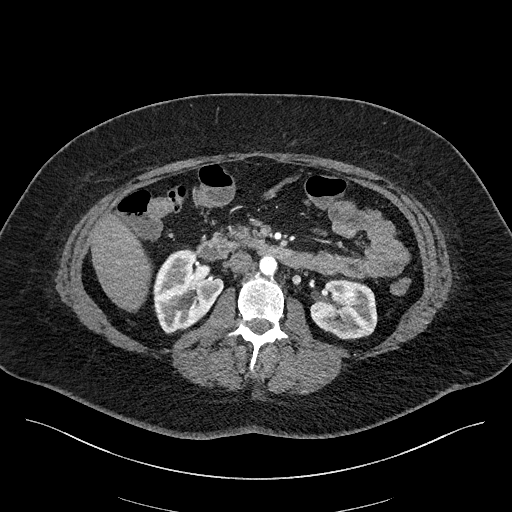
Axial slice 101 of 270 of a contrast-enhanced abdominal CT in the arterial phase (slice 1 is the lowest), 100 kVp, kernel I40f; 2.00 mm slice thickness and 0.855 mm pixels.
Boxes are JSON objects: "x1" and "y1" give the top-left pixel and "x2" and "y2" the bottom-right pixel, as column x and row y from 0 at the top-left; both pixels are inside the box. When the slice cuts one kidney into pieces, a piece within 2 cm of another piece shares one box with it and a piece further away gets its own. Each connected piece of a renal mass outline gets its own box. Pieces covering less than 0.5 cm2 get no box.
Two boxes on this slice (two kidney boxes), listed by box centre from the image's left to its right. (1) Box {"x1": 153, "y1": 249, "x2": 223, "y2": 333}: right kidney (outlined area 4,178 px, about 30.6 cm2). (2) Left kidney at {"x1": 310, "y1": 279, "x2": 377, "y2": 339} (outlined area 3,225 px, about 23.6 cm2). No renal mass outline on this slice.